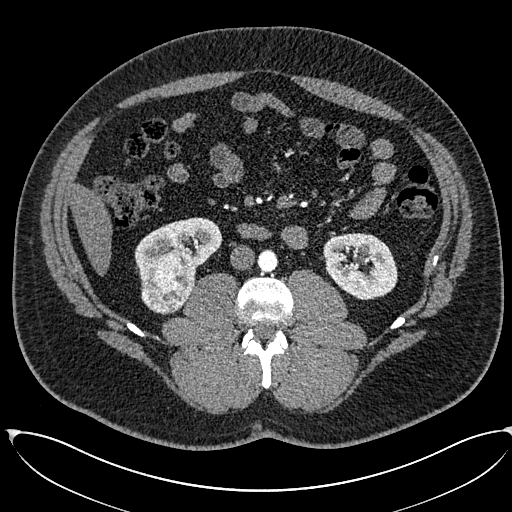
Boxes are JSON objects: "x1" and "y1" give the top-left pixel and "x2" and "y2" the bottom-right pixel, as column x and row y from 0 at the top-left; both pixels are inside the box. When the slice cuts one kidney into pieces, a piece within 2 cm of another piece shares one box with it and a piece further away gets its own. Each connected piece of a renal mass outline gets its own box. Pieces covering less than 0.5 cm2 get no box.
Arterial-phase contrast-enhanced abdominal CT, axial slice 290 of 673 (counted from the lowest slice); 1.00 mm thick, 0.855 mm per pixel. Boxed on this slice (two kidney boxes and one renal mass box), listed by box centre from the image's left to its right: (1) Right renal mass at {"x1": 141, "y1": 253, "x2": 195, "y2": 313} (outlined area 2,572 px, about 18.8 cm2). (2) Right kidney at {"x1": 134, "y1": 217, "x2": 222, "y2": 279} (outlined area 3,055 px, about 22.4 cm2). (3) Box {"x1": 323, "y1": 233, "x2": 397, "y2": 299}: left kidney (outlined area 3,844 px, about 28.1 cm2).
Tube voltage 120 kVp; convolution kernel I30f.